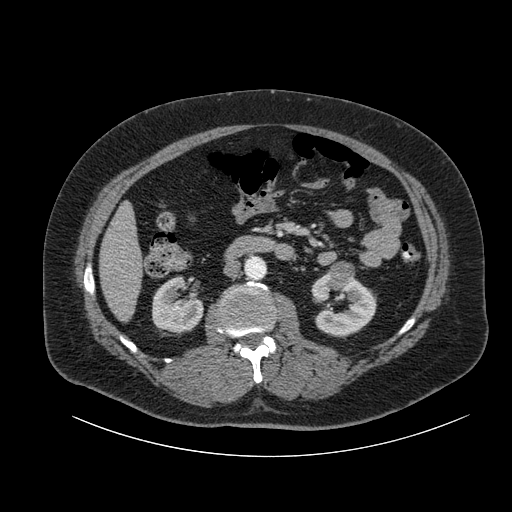
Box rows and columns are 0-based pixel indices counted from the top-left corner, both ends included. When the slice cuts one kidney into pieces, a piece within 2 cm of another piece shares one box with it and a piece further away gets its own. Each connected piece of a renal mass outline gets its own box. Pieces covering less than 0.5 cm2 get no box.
Contrast-enhanced abdominal CT, axial slice 43 of 105 (counted from the lowest slice); 3.00 mm thick, 0.977 mm per pixel. Three boxes on this slice (two kidney boxes and one renal mass box), listed by box centre from the image's left to its right. (1) Right kidney, box rows 275–335, columns 151–203 (outlined area 2,278 px, about 21.7 cm2). (2) Left renal mass at rows 261–290, columns 328–354 (outlined area 634 px, about 6.0 cm2). (3) Box rows 271–337, columns 310–375: left kidney (outlined area 2,685 px, about 25.6 cm2).
Scan settings: 120 kVp, B reconstruction kernel.